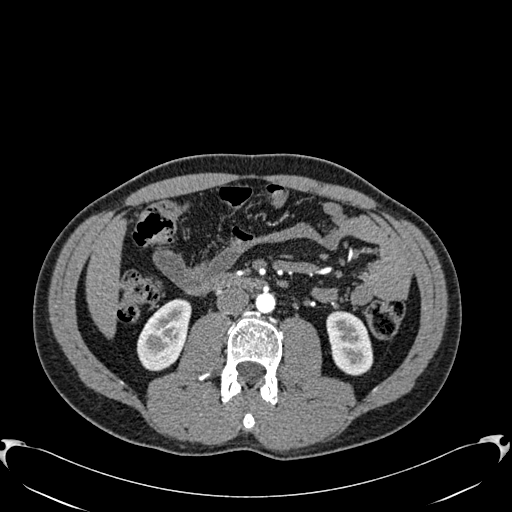
Abdominal CT with intravenous contrast, arterial phase, axial plane, 120 kVp, kernel B30f. Slice 297/512 from the bottom of the scan; thickness 1.00 mm; pixel size 0.771 mm.
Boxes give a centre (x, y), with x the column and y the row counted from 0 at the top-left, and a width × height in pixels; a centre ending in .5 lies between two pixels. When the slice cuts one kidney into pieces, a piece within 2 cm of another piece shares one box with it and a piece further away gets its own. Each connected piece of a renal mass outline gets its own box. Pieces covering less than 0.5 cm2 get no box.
Boxed on this slice (two kidney boxes), listed by box centre from the image's left to its right: (1) Box centre (163.5, 334.5), 56 × 74 pixels: right kidney (outlined area 2,791 px, about 16.6 cm2). (2) Left kidney, box centre (349.5, 342.5), 48 × 66 pixels (outlined area 2,354 px, about 14.0 cm2). No renal mass is outlined on this slice.